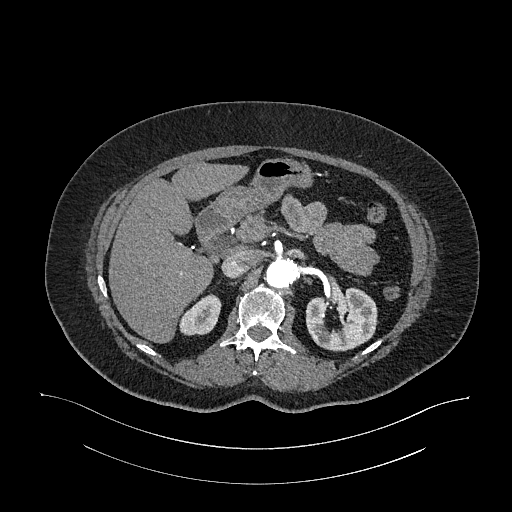
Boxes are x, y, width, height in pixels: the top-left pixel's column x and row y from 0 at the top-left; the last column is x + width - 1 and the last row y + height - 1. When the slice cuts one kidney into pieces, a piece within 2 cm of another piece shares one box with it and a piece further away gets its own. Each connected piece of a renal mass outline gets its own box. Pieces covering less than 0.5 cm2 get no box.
Slice 718/987 of a contrast-enhanced abdominal CT in the arterial phase, counting up from the lowest; pixel size 0.977 mm, slice thickness 1.00 mm. Two boxes on this slice (two kidney boxes), listed by box centre from the image's left to its right. (1) Right kidney, box x 178, y 294, width 44, height 42 (outlined area 1,237 px, about 11.8 cm2). (2) Box x 305, y 287, width 73, height 65: left kidney (outlined area 3,442 px, about 32.8 cm2). This slice carries no renal mass outline.
Acquired at 120 kVp and reconstructed with the I26f kernel.